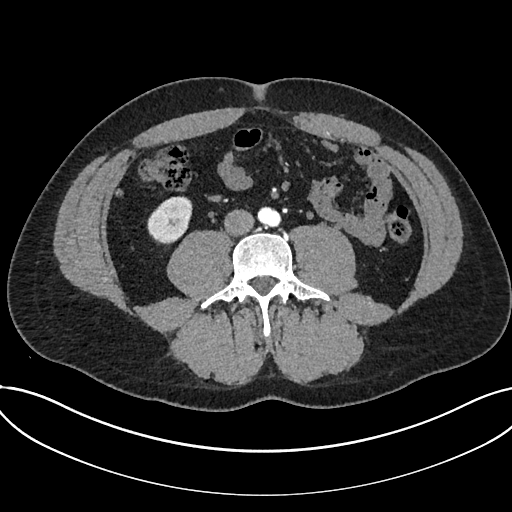
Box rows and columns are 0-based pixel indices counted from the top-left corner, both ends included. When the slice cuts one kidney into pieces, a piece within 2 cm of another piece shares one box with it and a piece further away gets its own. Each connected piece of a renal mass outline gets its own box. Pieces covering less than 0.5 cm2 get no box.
Slice 279/735 of a contrast-enhanced abdominal CT in the arterial phase, counting up from the lowest; pixel size 0.789 mm, slice thickness 1.00 mm. Kidney at rows 196–244, columns 147–192 (outlined area 1,637 px, about 10.2 cm2). No renal mass is outlined on this slice.
Scan settings: 120 kVp, I30f reconstruction kernel.